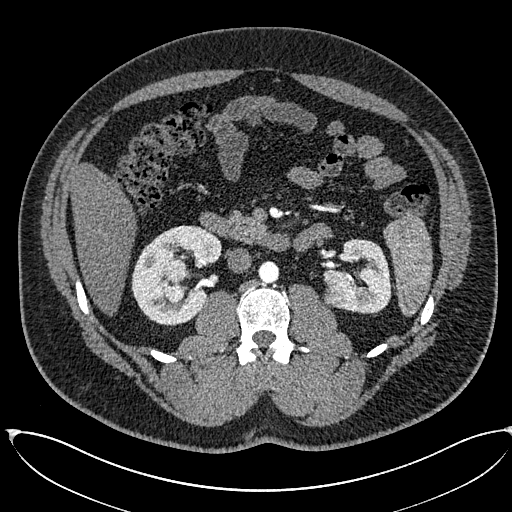
Axial slice 339 of 673 of a contrast-enhanced abdominal CT in the arterial phase (slice 1 is the lowest), 120 kVp, kernel I30f; 1.00 mm slice thickness and 0.855 mm pixels.
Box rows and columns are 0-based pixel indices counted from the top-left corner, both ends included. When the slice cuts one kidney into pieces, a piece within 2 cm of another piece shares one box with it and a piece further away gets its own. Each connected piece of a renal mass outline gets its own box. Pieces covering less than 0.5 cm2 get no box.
Two kidney boxes and two renal mass boxes on this slice; by box centre, from the image's left to its right: (1) Right kidney at rows 225–324, columns 131–221 (outlined area 5,587 px, about 40.9 cm2). (2) Right renal mass at rows 259–302, columns 163–189 (outlined area 881 px, about 6.4 cm2). (3) Left renal mass, box rows 286–308, columns 323–349 (outlined area 484 px, about 3.5 cm2). (4) Left kidney at rows 238–313, columns 322–391 (outlined area 3,442 px, about 25.2 cm2).